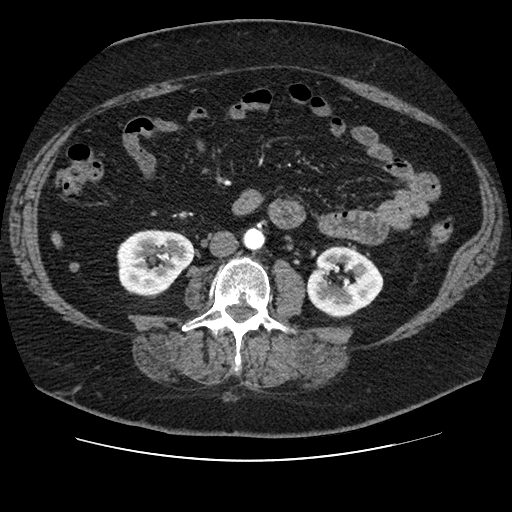
Abdominal CT with intravenous contrast, arterial phase, axial plane, 120 kVp, kernel STANDARD. Slice 34/106 from the bottom of the scan; thickness 2.50 mm; pixel size 0.742 mm.
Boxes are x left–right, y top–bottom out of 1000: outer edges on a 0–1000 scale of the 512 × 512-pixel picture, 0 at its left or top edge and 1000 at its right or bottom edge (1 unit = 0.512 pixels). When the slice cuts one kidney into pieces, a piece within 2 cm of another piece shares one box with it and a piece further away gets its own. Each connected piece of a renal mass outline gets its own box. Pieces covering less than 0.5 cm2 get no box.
Two boxes on this slice (two kidney boxes), listed by box centre from the image's left to its right. (1) Right kidney, box x 227–383, y 447–582 out of 1000 (outlined area 4,049 px, about 22.3 cm2). (2) Left kidney, box x 596–750, y 480–623 out of 1000 (outlined area 3,944 px, about 21.7 cm2). No renal mass is outlined on this slice.